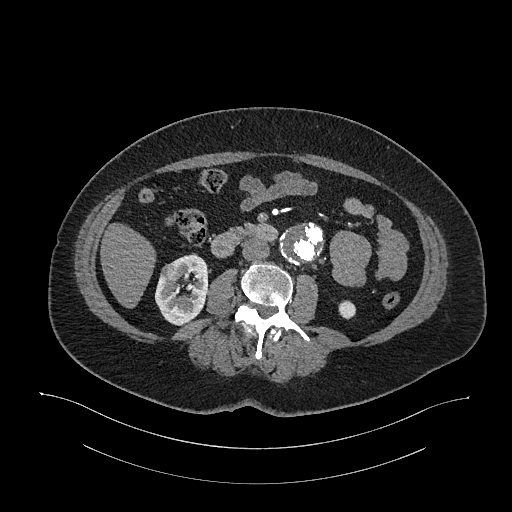
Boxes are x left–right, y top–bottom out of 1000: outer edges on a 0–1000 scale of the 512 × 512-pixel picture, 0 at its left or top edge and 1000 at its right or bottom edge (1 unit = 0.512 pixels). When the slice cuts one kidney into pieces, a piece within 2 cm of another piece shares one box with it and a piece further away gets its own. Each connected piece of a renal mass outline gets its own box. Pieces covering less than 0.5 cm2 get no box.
Arterial-phase contrast-enhanced abdominal CT, axial slice 580 of 987 (counted from the lowest slice); 1.00 mm thick, 0.977 mm per pixel. Two kidney boxes and one renal mass box on this slice; by box centre, from the image's left to its right: (1) Right renal mass at x 313–357, y 514–549 out of 1000 (outlined area 313 px, about 3.0 cm2). (2) Right kidney, box x 301–408, y 494–637 out of 1000 (outlined area 2,584 px, about 24.6 cm2). (3) Left kidney at x 660–695, y 586–625 out of 1000 (outlined area 273 px, about 2.6 cm2).
Tube voltage 120 kVp; convolution kernel I26f.